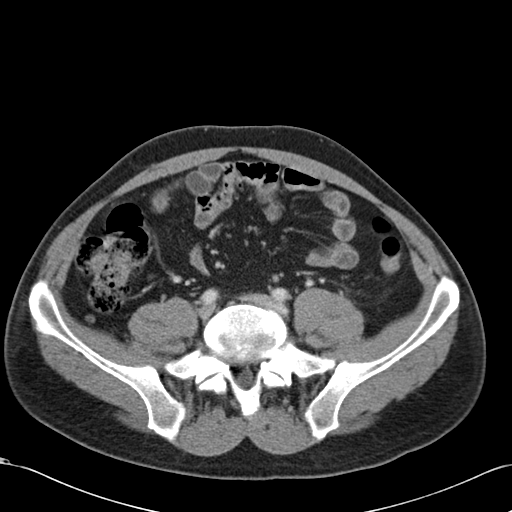
Slice 39/99 of a contrast-enhanced abdominal CT in the arterial phase, counting up from the lowest; pixel size 0.693 mm, slice thickness 5.00 mm. No kidney and no renal mass is outlined on this slice; the outlines in this scan cover only the kidneys and the renal masses, so nothing is said about any other organ.
Acquired at 120 kVp and reconstructed with the B30f kernel.